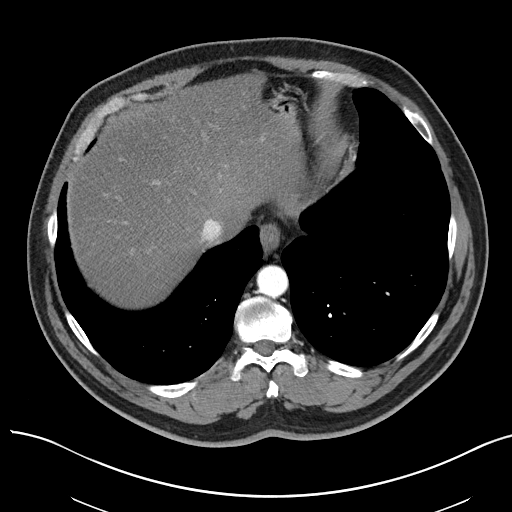
Abdominal CT with intravenous contrast, arterial phase, axial plane, 100 kVp, kernel I40f. Slice 73/97 from the bottom of the scan; thickness 3.00 mm; pixel size 0.797 mm.
Outside the outlined region: no kidney outline and no renal mass outline on this slice. The scan's outlines cover only kidneys and renal masses; no other organ is outlined.